Axial slice 16 of 51 of a contrast-enhanced abdominal CT (slice 1 is the lowest), 120 kVp, kernel B31f; 5.00 mm slice thickness and 0.865 mm pixels.
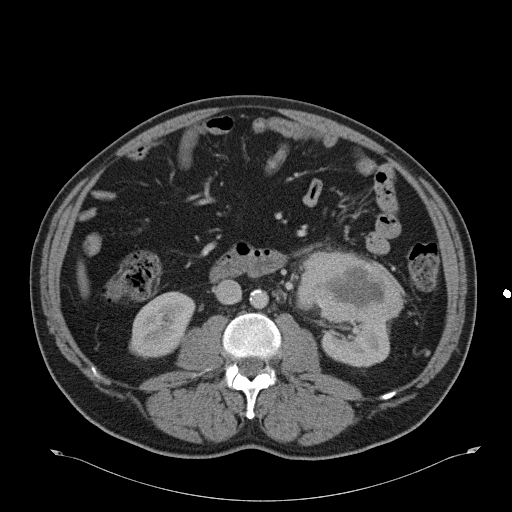
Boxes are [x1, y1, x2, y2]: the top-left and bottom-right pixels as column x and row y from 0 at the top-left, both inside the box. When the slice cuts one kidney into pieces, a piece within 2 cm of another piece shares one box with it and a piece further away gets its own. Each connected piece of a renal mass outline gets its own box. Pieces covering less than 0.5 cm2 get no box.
Two kidney boxes and one renal mass box on this slice; by box centre, from the image's left to its right: (1) Box [129, 291, 195, 358]: right kidney (outlined area 3,171 px, about 23.7 cm2). (2) Left renal mass, box [297, 250, 403, 324] (outlined area 5,970 px, about 44.7 cm2). (3) Left kidney at [322, 321, 389, 367] (outlined area 2,555 px, about 19.1 cm2).